Axial slice 85 of 159 of a contrast-enhanced abdominal CT in the arterial phase (slice 1 is the lowest), 140 kVp, kernel B30f; 3.00 mm slice thickness and 0.977 mm pixels.
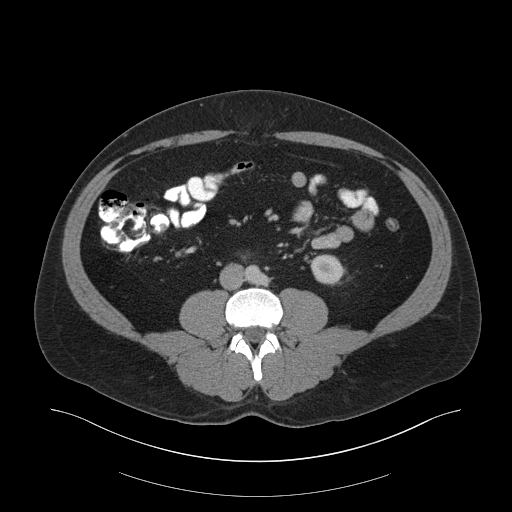
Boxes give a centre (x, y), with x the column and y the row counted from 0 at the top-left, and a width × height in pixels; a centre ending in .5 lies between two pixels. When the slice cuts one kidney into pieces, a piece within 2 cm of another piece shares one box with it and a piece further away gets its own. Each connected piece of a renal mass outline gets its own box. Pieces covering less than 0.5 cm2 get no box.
Left kidney, box centre (328, 269.5), 37 × 32 pixels (outlined area 863 px, about 8.2 cm2). No renal mass is outlined on this slice.